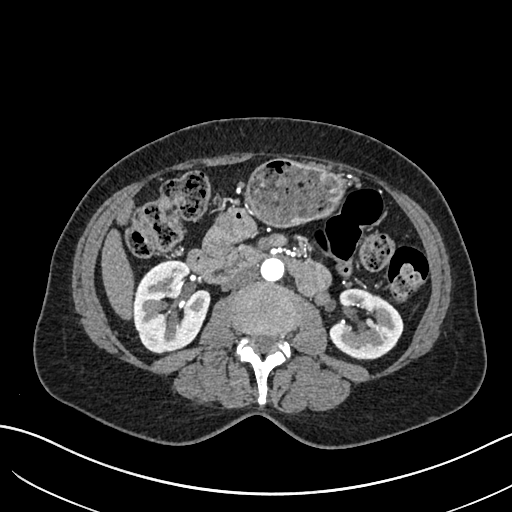
One axial slice (347 of 683, counting up from the lowest) of an arterial-phase abdominal CT acquired with 120 kVp, kernel I30f; each pixel is 0.738 mm and the slice is 1.00 mm thick.
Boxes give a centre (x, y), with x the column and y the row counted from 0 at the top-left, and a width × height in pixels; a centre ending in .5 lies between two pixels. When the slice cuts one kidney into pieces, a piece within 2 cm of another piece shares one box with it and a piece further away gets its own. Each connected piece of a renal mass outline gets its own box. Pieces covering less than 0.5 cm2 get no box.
Two boxes on this slice (two kidney boxes), listed by box centre from the image's left to its right. (1) Box centre (171, 305.5), 79 × 94 pixels: right kidney (outlined area 5,484 px, about 29.9 cm2). (2) Left kidney, box centre (365.5, 323.5), 76 × 72 pixels (outlined area 3,756 px, about 20.5 cm2). This slice carries no renal mass outline.